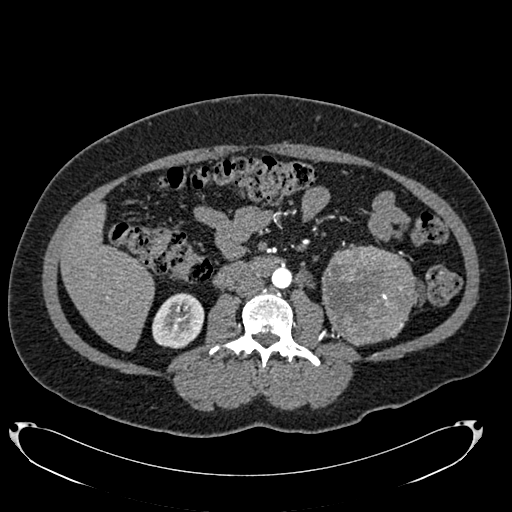
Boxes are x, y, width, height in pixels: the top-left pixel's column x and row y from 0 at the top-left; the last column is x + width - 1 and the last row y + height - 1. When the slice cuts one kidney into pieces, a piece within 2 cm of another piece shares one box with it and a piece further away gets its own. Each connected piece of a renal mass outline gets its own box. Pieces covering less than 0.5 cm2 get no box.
Arterial-phase contrast-enhanced abdominal CT, axial slice 363 of 634 (counted from the lowest slice); 1.00 mm thick, 0.838 mm per pixel. One kidney box and one renal mass box on this slice; by box centre, from the image's left to its right: (1) Right kidney, box x 152, y 293, width 53, height 56 (outlined area 2,259 px, about 15.9 cm2). (2) Left renal mass, box x 321, y 244, width 96, height 103 (outlined area 7,611 px, about 53.4 cm2); here it is more than 1 cm from any kidney outline, though on another slice the same outlined renal mass lies within 1 cm of the kidney.
Scan settings: 120 kVp, B20f reconstruction kernel.